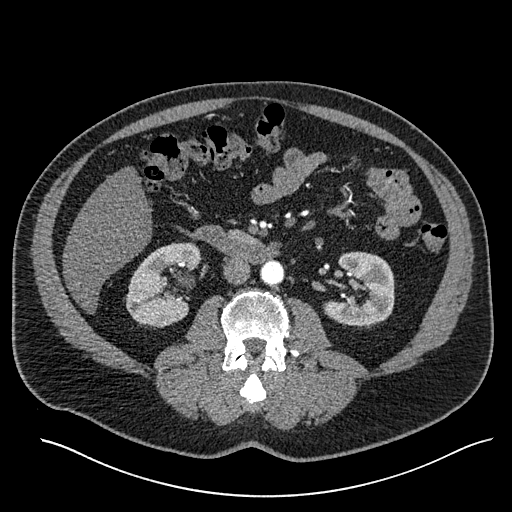
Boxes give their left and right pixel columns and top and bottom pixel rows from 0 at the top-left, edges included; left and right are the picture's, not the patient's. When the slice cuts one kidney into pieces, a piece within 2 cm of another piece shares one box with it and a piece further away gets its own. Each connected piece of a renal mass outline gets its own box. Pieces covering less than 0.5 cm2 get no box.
Arterial-phase contrast-enhanced abdominal CT, axial slice 287 of 527 (counted from the lowest slice); 1.00 mm thick, 0.859 mm per pixel. Two kidney boxes on this slice; by box centre, from the image's left to its right: (1) Box with left 125, top 242, right 200, bottom 328: right kidney (outlined area 4,472 px, about 33.0 cm2). (2) Left kidney in the box with left 323, top 251, right 394, bottom 328 (outlined area 3,899 px, about 28.8 cm2). No renal mass is outlined on this slice.
Acquired at 120 kVp and reconstructed with the I30f kernel.